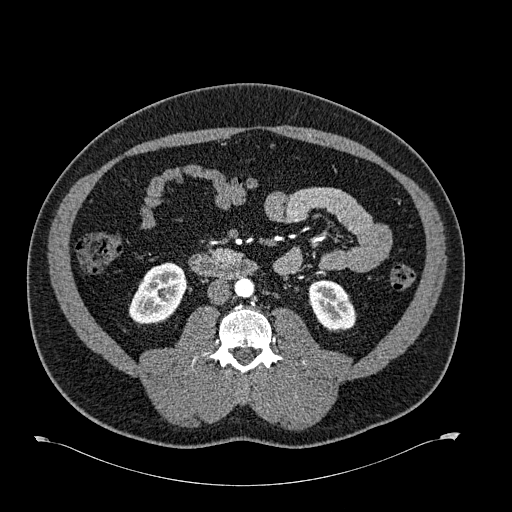
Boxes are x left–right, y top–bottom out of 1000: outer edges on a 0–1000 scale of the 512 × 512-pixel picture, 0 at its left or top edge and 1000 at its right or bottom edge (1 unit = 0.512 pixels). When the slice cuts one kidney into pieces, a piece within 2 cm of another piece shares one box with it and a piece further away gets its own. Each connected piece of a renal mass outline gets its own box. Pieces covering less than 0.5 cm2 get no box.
This is axial slice 298 of 723 (slice 1 is the lowest) of an arterial-phase abdominal CT with contrast; each pixel is 0.895 mm and the slice is 1.00 mm thick. Boxed on this slice (two kidney boxes), listed by box centre from the image's left to its right: (1) Right kidney, box x 250–367, y 512–637 out of 1000 (outlined area 2,596 px, about 20.8 cm2). (2) Box x 602–697, y 547–648 out of 1000: left kidney (outlined area 1,845 px, about 14.8 cm2). No renal mass is outlined on this slice.
Acquired at 120 kVp and reconstructed with the B30f kernel.